Abdominal CT with intravenous contrast, arterial phase, axial plane, 120 kVp, kernel B31f. Slice 278/620 from the bottom of the scan; thickness 2.00 mm; pixel size 0.637 mm.
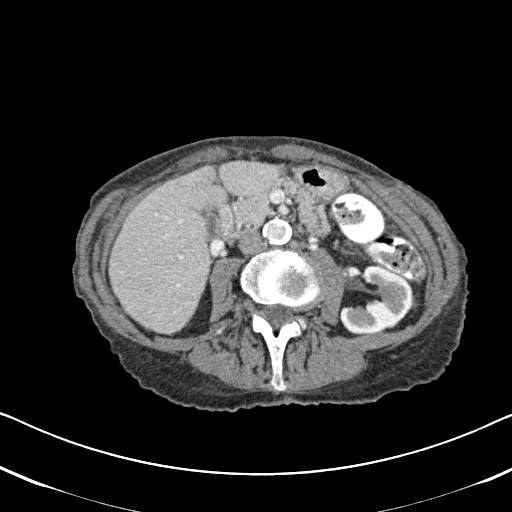
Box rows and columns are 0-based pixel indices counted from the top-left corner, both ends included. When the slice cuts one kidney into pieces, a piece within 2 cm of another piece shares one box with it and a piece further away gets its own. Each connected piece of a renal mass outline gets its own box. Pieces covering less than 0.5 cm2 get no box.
Left kidney, box rows 265–335, columns 340–414 (outlined area 3,382 px, about 13.7 cm2). No renal mass is outlined on this slice.